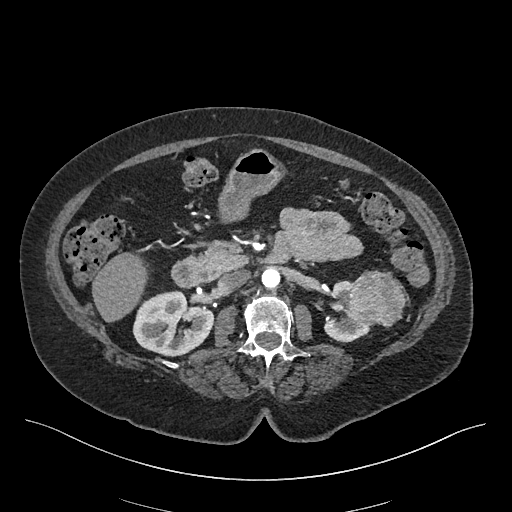
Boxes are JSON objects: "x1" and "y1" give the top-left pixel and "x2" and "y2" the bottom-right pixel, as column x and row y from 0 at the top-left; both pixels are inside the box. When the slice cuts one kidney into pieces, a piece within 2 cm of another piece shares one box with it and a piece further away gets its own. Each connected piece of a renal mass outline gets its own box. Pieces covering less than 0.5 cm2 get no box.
Slice 256/548 of a contrast-enhanced abdominal CT in the arterial phase, counting up from the lowest; pixel size 0.852 mm, slice thickness 1.00 mm. Boxed on this slice (two kidney boxes and one renal mass box), listed by box centre from the image's left to its right: (1) Right kidney, box {"x1": 132, "y1": 290, "x2": 212, "y2": 356} (outlined area 3,993 px, about 29.0 cm2). (2) Box {"x1": 323, "y1": 280, "x2": 370, "y2": 342}: left kidney (outlined area 1,408 px, about 10.2 cm2). (3) Left renal mass, box {"x1": 344, "y1": 270, "x2": 405, "y2": 327} (outlined area 2,749 px, about 19.9 cm2).
Scan settings: 120 kVp, I26f reconstruction kernel.